Axial slice 150 of 326 of a contrast-enhanced abdominal CT in the arterial phase (slice 1 is the lowest), 120 kVp, kernel B31f; 2.00 mm slice thickness and 0.963 mm pixels.
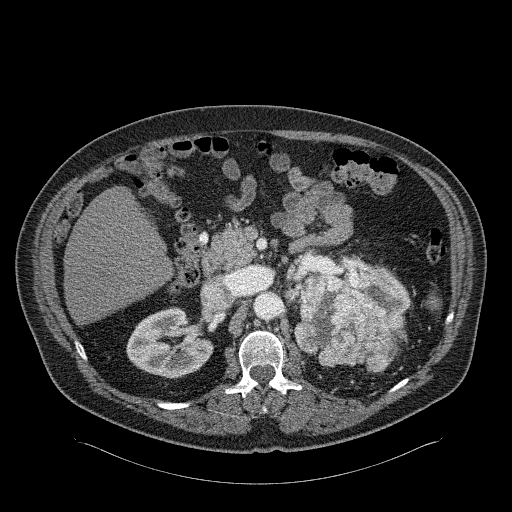
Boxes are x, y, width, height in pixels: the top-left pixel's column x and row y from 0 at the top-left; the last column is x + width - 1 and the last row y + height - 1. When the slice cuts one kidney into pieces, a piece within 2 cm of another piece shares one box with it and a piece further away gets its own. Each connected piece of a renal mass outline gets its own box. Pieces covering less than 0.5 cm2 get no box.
Boxed on this slice (two kidney boxes and one renal mass box), listed by box centre from the image's left to its right: (1) Right kidney, box x 126, y 307, width 88, height 72 (outlined area 4,376 px, about 40.6 cm2). (2) Left renal mass at x 293, y 266, width 115, height 106 (outlined area 8,244 px, about 76.4 cm2). (3) Left kidney, box x 367, y 265, width 44, height 48 (outlined area 1,349 px, about 12.5 cm2).